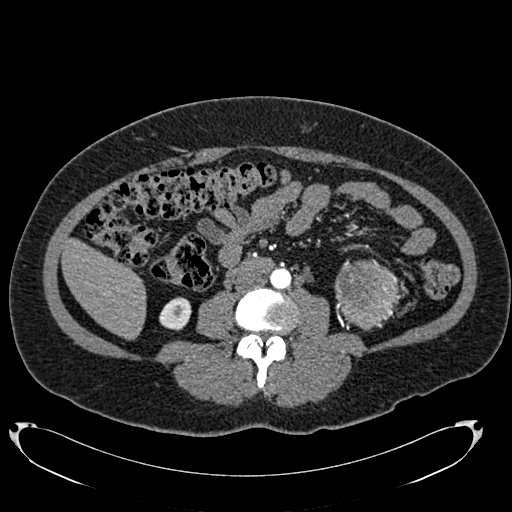
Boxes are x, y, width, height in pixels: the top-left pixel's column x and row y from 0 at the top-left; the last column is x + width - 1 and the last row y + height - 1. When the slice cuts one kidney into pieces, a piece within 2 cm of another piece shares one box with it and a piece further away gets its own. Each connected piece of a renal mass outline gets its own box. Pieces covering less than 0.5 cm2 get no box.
Arterial-phase contrast-enhanced abdominal CT, axial slice 327 of 634 (counted from the lowest slice); 1.00 mm thick, 0.838 mm per pixel. Boxed on this slice (one kidney box and one renal mass box), listed by box centre from the image's left to its right: (1) Right kidney at x 159, y 297, width 33, height 34 (outlined area 832 px, about 5.8 cm2). (2) Box x 334, y 259, width 70, height 72: left renal mass (outlined area 3,596 px, about 25.2 cm2); on this slice it lies more than 1 cm from any kidney outline, but the same outlined renal mass comes within 1 cm of the kidney on another slice.
Tube voltage 120 kVp; convolution kernel B20f.